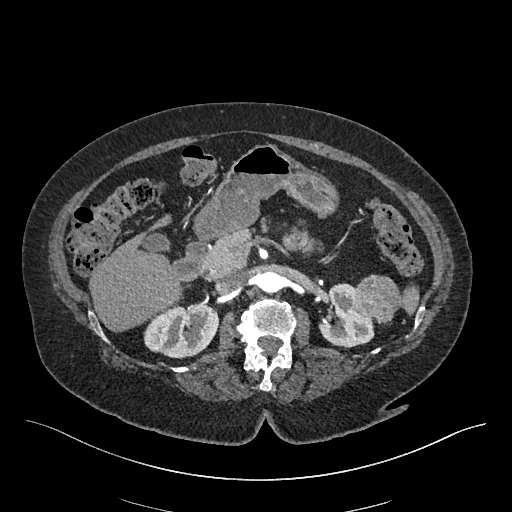
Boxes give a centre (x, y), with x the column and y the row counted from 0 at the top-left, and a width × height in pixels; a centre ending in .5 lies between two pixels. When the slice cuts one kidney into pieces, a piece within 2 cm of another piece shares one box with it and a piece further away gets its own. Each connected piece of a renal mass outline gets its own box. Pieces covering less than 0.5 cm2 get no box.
Arterial-phase contrast-enhanced abdominal CT, axial slice 277 of 548 (counted from the lowest slice); 1.00 mm thick, 0.852 mm per pixel. Boxed on this slice (two kidney boxes and one renal mass box), listed by box centre from the image's left to its right: (1) Box centre (180.5, 330.5), 76 × 56 pixels: right kidney (outlined area 3,183 px, about 23.1 cm2). (2) Box centre (346, 315.5), 57 × 66 pixels: left kidney (outlined area 2,334 px, about 16.9 cm2). (3) Left renal mass in a box with centre (376, 298.5), 47 × 50 pixels (outlined area 1,782 px, about 12.9 cm2).
Tube voltage 120 kVp; convolution kernel I26f.